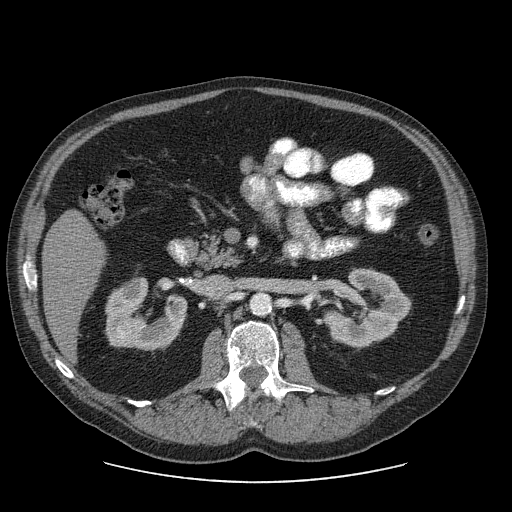
One axial slice (42 of 103, counting up from the lowest) of a contrast-enhanced abdominal CT acquired with 120 kVp, kernel STANDARD; each pixel is 0.820 mm and the slice is 2.50 mm thick.
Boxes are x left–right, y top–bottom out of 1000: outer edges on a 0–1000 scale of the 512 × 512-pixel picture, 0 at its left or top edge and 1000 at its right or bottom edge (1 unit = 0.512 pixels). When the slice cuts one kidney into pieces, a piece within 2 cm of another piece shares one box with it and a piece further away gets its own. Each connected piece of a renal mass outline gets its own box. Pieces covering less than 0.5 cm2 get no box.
Three boxes on this slice (two kidney boxes and one renal mass box), listed by box centre from the image's left to its right. (1) Box x 229–283, y 623–672 out of 1000: right renal mass (outlined area 431 px, about 2.9 cm2). (2) Right kidney, box x 205–367, y 539–686 out of 1000 (outlined area 3,828 px, about 25.8 cm2). (3) Left kidney, box x 631–805, y 523–680 out of 1000 (outlined area 4,587 px, about 30.9 cm2).